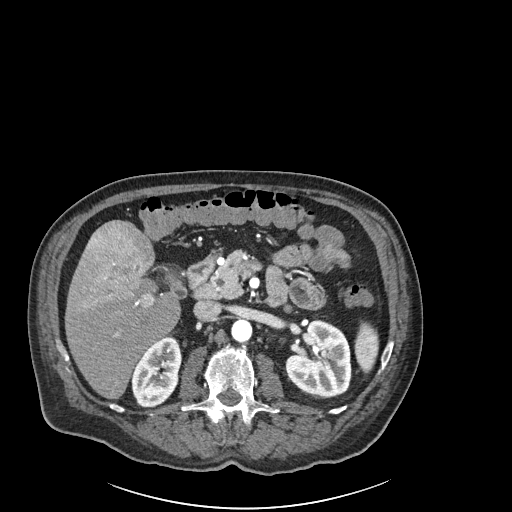
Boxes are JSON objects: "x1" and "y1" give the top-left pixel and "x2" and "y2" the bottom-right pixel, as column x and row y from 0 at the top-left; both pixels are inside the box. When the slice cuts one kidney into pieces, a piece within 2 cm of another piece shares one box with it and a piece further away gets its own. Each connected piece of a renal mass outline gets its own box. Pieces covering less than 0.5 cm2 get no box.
Slice 121/261 of a contrast-enhanced abdominal CT in the arterial phase, counting up from the lowest; pixel size 0.939 mm, slice thickness 2.00 mm. Two boxes on this slice (two kidney boxes), listed by box centre from the image's left to its right. (1) Right kidney, box {"x1": 131, "y1": 336, "x2": 182, "y2": 408} (outlined area 2,637 px, about 23.3 cm2). (2) Box {"x1": 285, "y1": 319, "x2": 351, "y2": 396}: left kidney (outlined area 3,924 px, about 34.6 cm2). No renal mass outline on this slice.
Acquired at 120 kVp and reconstructed with the I30f kernel.